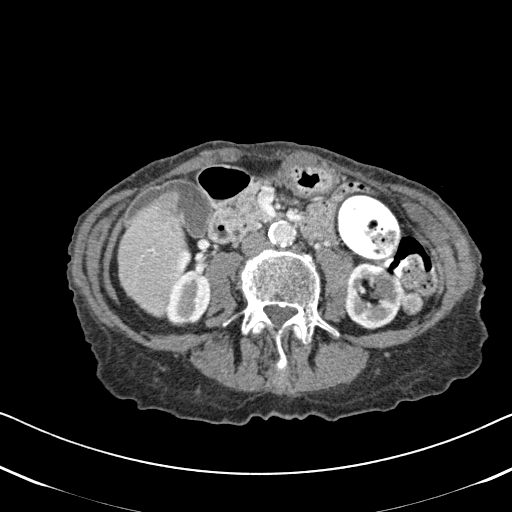
Axial slice 263 of 620 of a contrast-enhanced abdominal CT in the arterial phase (slice 1 is the lowest), 120 kVp, kernel B31f; 2.00 mm slice thickness and 0.637 mm pixels.
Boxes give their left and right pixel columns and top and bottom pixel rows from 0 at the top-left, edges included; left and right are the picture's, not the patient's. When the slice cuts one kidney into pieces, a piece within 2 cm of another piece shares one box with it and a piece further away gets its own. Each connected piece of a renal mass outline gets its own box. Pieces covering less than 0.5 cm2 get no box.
Three boxes on this slice (two kidney boxes and one renal mass box), listed by box centre from the image's left to its right. (1) Right kidney in the box with left 165, top 269, right 210, bottom 326 (outlined area 2,034 px, about 8.2 cm2). (2) Box with left 344, top 262, right 407, bottom 329: left kidney (outlined area 2,989 px, about 12.1 cm2). (3) Box with left 400, top 291, right 423, bottom 315: left renal mass (outlined area 446 px, about 1.8 cm2).